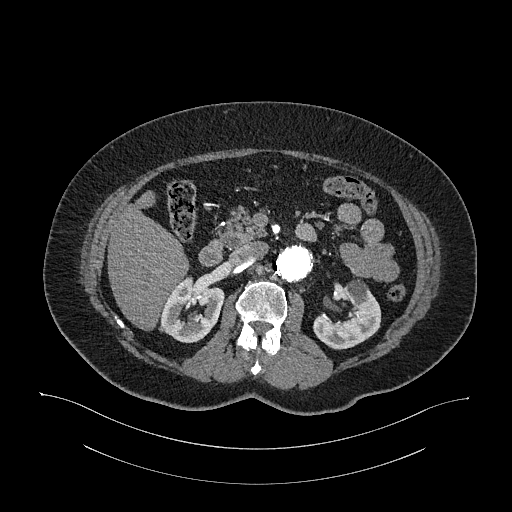
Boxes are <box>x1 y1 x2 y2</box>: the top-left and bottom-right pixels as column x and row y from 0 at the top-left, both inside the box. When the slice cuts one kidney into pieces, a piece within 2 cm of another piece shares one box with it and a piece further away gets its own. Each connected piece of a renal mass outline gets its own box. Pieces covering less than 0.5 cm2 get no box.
Slice 673/987 of a contrast-enhanced abdominal CT in the arterial phase, counting up from the lowest; pixel size 0.977 mm, slice thickness 1.00 mm. Boxed on this slice (two kidney boxes), listed by box centre from the image's left to its right: (1) Right kidney at <box>159 276 224 343</box> (outlined area 2,995 px, about 28.6 cm2). (2) Left kidney at <box>313 279 381 349</box> (outlined area 2,999 px, about 28.6 cm2). This slice carries no renal mass outline.
Tube voltage 120 kVp; convolution kernel I26f.